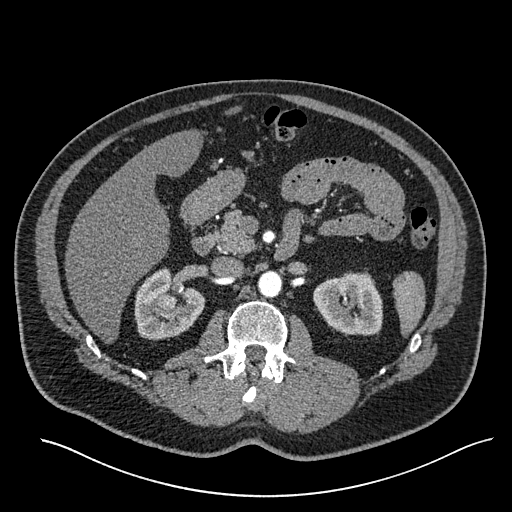
One axial slice (352 of 527, counting up from the lowest) of an arterial-phase abdominal CT acquired with 120 kVp, kernel I30f; each pixel is 0.859 mm and the slice is 1.00 mm thick.
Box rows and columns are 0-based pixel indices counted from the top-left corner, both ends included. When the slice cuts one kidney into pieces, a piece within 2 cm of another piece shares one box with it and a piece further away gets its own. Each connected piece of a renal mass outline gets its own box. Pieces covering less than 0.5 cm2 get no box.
Two kidney boxes and one renal mass box on this slice; by box centre, from the image's left to its right: (1) Box rows 292–310, columns 155–176: right renal mass (outlined area 342 px, about 2.5 cm2). (2) Right kidney, box rows 268–340, columns 134–205 (outlined area 3,354 px, about 24.8 cm2). (3) Left kidney at rows 271–335, columns 313–382 (outlined area 3,520 px, about 26.0 cm2).